One axial slice (74 of 207, counting up from the lowest) of an arterial-phase abdominal CT acquired with 120 kVp, kernel FC18; each pixel is 0.741 mm and the slice is 2.00 mm thick.
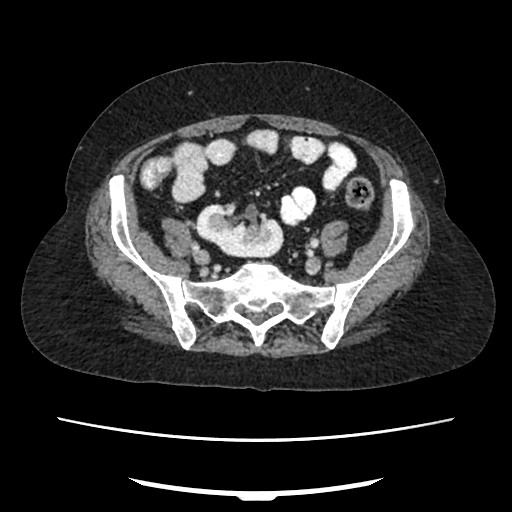
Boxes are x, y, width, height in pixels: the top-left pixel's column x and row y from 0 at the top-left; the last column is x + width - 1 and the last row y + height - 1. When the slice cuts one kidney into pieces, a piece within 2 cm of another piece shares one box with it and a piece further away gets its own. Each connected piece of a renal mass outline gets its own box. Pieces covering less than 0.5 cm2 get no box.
Right kidney at x 196, y 202, width 89, height 56 (outlined area 3,578 px, about 19.6 cm2). No renal mass is outlined on this slice.